Arterial-phase contrast-enhanced abdominal CT, axial slice 258 of 389 (counted from the lowest slice); tube voltage 120 kVp, convolution kernel STANDARD; slices 1.25 mm thick, 0.869 mm per pixel.
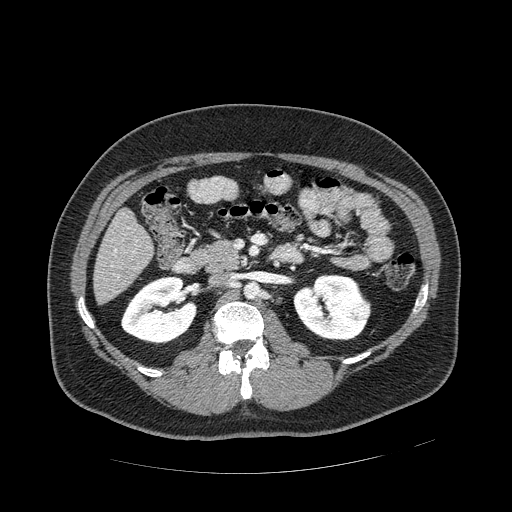
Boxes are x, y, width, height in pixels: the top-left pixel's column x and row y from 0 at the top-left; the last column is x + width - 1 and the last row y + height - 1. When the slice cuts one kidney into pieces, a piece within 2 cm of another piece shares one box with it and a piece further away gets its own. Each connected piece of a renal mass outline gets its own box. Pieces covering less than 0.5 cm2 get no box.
Three boxes on this slice (two kidney boxes and one renal mass box), listed by box centre from the image's left to its right. (1) Box x 121, y 276, width 77, height 70: right kidney (outlined area 3,792 px, about 28.6 cm2). (2) Box x 293, y 274, width 75, height 67: left kidney (outlined area 3,667 px, about 27.7 cm2). (3) Left renal mass at x 353, y 299, width 19, height 21 (outlined area 283 px, about 2.1 cm2).